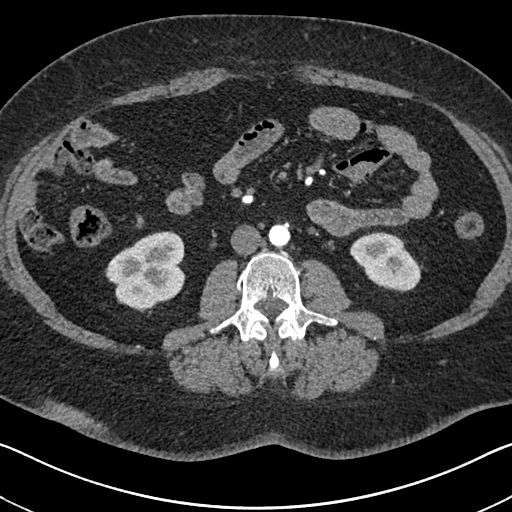
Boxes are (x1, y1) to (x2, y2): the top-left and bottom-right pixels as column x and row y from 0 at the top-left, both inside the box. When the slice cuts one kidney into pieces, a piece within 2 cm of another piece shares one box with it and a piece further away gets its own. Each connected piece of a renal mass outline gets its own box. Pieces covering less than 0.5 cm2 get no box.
This is axial slice 318 of 591 (slice 1 is the lowest) of an arterial-phase abdominal CT with contrast; each pixel is 0.703 mm and the slice is 1.00 mm thick. Two boxes on this slice (two kidney boxes), listed by box centre from the image's left to its right. (1) Box (105, 231) to (185, 312): right kidney (outlined area 4,644 px, about 23.0 cm2). (2) Left kidney from (350, 232) to (422, 292) (outlined area 2,947 px, about 14.6 cm2). No renal mass is outlined on this slice.
Acquired at 140 kVp and reconstructed with the I30f kernel.